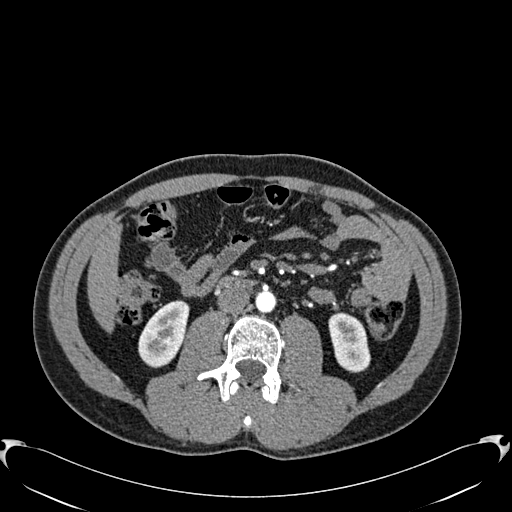
Axial slice 291 of 512 of a contrast-enhanced abdominal CT in the arterial phase (slice 1 is the lowest), 120 kVp, kernel B30f; 1.00 mm slice thickness and 0.771 mm pixels.
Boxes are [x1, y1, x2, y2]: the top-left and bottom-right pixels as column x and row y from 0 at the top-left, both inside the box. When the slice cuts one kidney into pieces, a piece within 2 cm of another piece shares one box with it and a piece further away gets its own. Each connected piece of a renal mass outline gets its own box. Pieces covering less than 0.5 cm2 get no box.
Boxed on this slice (two kidney boxes), listed by box centre from the image's left to its right: (1) Right kidney, box [138, 300, 189, 368] (outlined area 2,427 px, about 14.4 cm2). (2) Left kidney at [328, 312, 370, 372] (outlined area 1,935 px, about 11.5 cm2). No renal mass outline on this slice.